Arterial-phase contrast-enhanced abdominal CT, axial slice 88 of 285 (counted from the lowest slice); tube voltage 120 kVp, convolution kernel B31f; slices 2.00 mm thick, 0.762 mm per pixel.
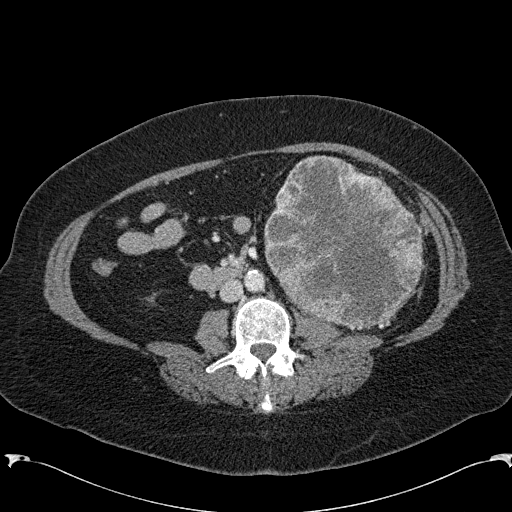
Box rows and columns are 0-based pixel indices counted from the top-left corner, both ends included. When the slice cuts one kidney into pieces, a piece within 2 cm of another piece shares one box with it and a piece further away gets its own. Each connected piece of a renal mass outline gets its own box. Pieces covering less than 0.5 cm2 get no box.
Box rows 155–330, columns 264–423: left renal mass (outlined area 20,909 px, about 121.3 cm2); it sits over 1 cm from every kidney outline on this slice, but the same outlined renal mass comes within 1 cm of the kidney on another slice.